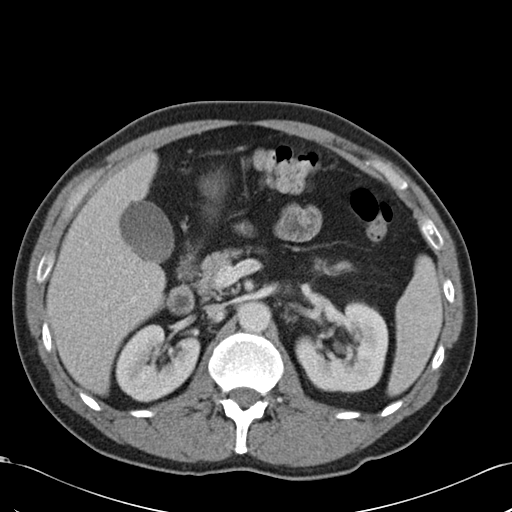
Abdominal CT with intravenous contrast, arterial phase, axial plane, 120 kVp, kernel B30f. Slice 69/99 from the bottom of the scan; thickness 5.00 mm; pixel size 0.693 mm.
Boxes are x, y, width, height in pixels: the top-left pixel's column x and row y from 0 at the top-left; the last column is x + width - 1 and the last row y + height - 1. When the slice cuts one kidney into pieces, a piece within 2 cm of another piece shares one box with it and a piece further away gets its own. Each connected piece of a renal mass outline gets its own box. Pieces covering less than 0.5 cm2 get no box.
Two boxes on this slice (two kidney boxes), listed by box centre from the image's left to its right. (1) Right kidney, box x 115, y 323, width 86, height 80 (outlined area 4,752 px, about 22.8 cm2). (2) Box x 295, y 301, width 94, height 92: left kidney (outlined area 6,117 px, about 29.4 cm2). No renal mass outline on this slice.